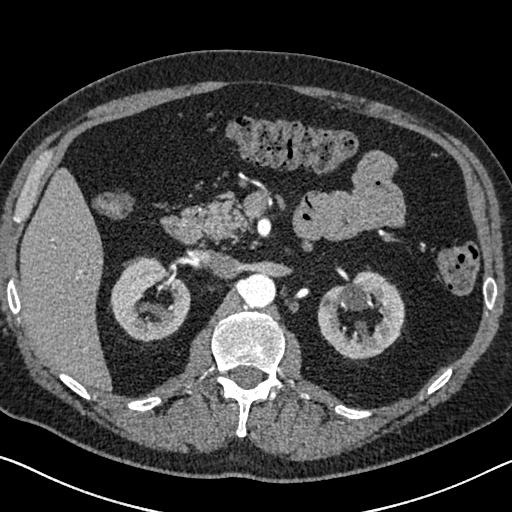
Axial slice 435 of 626 of a contrast-enhanced abdominal CT in the arterial phase (slice 1 is the lowest), 120 kVp, kernel I30f; 1.00 mm slice thickness and 0.703 mm pixels.
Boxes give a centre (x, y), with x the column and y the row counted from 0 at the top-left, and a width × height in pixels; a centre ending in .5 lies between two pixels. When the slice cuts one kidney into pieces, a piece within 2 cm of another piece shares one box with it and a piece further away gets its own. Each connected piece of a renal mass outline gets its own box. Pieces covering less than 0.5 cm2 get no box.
Two boxes on this slice (two kidney boxes), listed by box centre from the image's left to its right. (1) Box centre (150, 298.5), 81 × 86 pixels: right kidney (outlined area 4,717 px, about 23.3 cm2). (2) Left kidney, box centre (360.5, 314), 88 × 91 pixels (outlined area 5,181 px, about 25.6 cm2). This slice carries no renal mass outline.